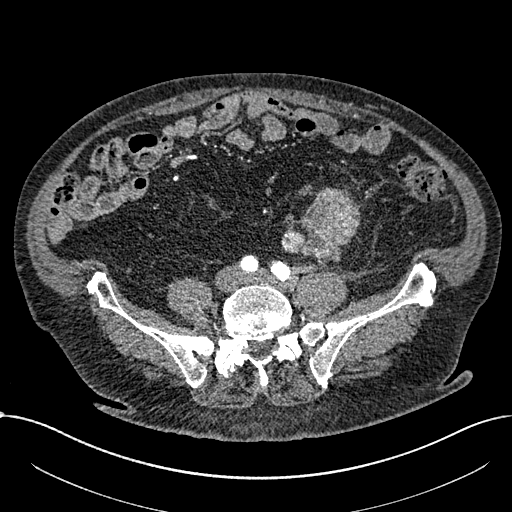
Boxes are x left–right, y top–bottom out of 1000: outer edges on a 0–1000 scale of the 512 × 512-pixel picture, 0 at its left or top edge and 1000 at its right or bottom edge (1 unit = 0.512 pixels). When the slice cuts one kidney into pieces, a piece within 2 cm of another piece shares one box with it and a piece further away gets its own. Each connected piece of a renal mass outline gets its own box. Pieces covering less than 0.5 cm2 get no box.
Slice 179/1059 of a contrast-enhanced abdominal CT in the arterial phase, counting up from the lowest; pixel size 0.811 mm, slice thickness 1.00 mm. Box x 549–705, y 365–514 out of 1000: renal mass (outlined area 3,800 px, about 25.0 cm2); no kidney outline appears on this slice, but the same outlined renal mass comes within 1 cm of the kidney on another slice.
Scan settings: 100 kVp, I30f reconstruction kernel.